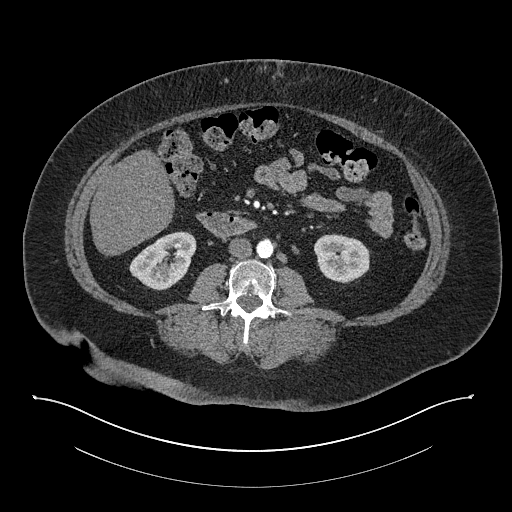
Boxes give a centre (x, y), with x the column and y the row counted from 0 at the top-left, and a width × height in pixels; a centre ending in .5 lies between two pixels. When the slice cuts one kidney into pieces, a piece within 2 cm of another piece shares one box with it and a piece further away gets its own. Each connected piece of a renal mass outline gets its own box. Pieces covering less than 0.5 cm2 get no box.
Slice 389/673 of a contrast-enhanced abdominal CT in the arterial phase, counting up from the lowest; pixel size 0.957 mm, slice thickness 1.00 mm. Two kidney boxes on this slice; by box centre, from the image's left to its right: (1) Right kidney in a box with centre (162.5, 260.5), 68 × 60 pixels (outlined area 2,687 px, about 24.6 cm2). (2) Left kidney, box centre (341.5, 258), 56 × 51 pixels (outlined area 2,176 px, about 19.9 cm2). No renal mass outline on this slice.
Tube voltage 140 kVp; convolution kernel I30f.